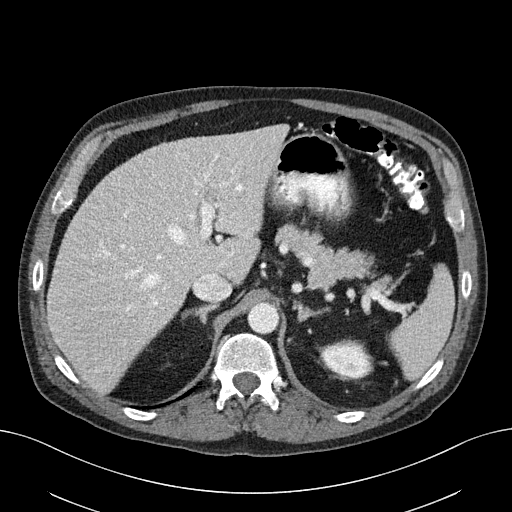
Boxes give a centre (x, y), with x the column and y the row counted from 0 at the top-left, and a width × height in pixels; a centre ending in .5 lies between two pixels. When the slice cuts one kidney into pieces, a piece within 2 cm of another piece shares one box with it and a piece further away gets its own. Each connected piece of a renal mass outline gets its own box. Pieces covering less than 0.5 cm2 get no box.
Contrast-enhanced abdominal CT, axial slice 132 of 163 (counted from the lowest slice); 3.00 mm thick, 0.799 mm per pixel. Left kidney, box centre (346, 359.5), 53 × 40 pixels (outlined area 1,588 px, about 10.1 cm2). No renal mass outline on this slice.
Scan settings: 100 kVp, I40f reconstruction kernel.